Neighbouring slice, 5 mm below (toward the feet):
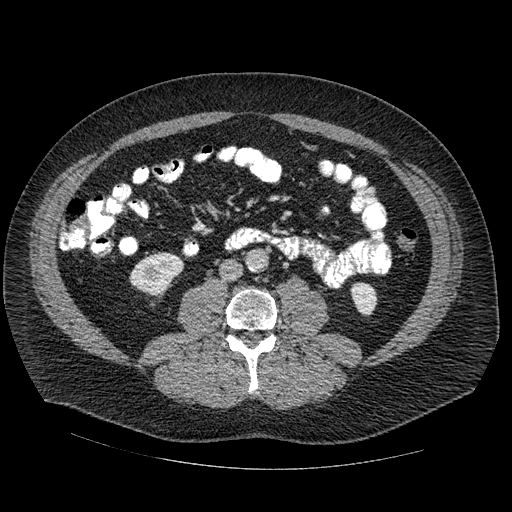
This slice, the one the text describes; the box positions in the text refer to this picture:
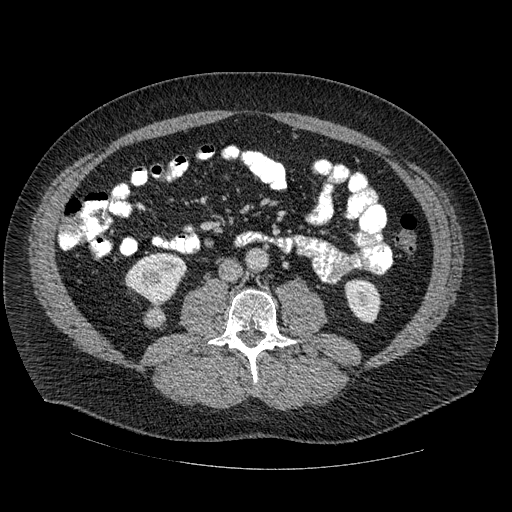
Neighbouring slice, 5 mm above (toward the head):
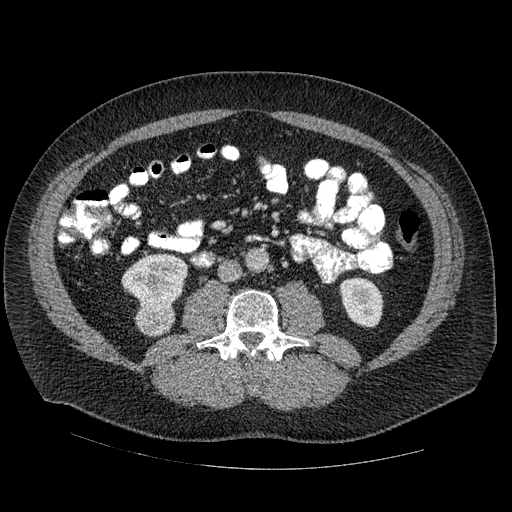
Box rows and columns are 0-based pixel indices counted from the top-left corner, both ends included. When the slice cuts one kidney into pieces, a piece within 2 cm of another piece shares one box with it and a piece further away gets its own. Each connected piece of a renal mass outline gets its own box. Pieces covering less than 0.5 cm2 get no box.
This is axial slice 239 of 445 (slice 1 is the lowest) of an arterial-phase abdominal CT with contrast; each pixel is 0.863 mm and the slice is 1.25 mm thick. Three boxes on this slice (two kidney boxes and one renal mass box), listed by box centre from the image's left to its right. (1) Right kidney, box rows 252–308, columns 124–187 (outlined area 2,355 px, about 17.6 cm2). (2) Box rows 308–317, columns 148–164: right renal mass (outlined area 135 px, about 1.0 cm2). (3) Box rows 278–323, columns 345–381: left kidney (outlined area 1,226 px, about 9.1 cm2). This slice is near the end of the right renal mass toward the feet, so the slices 5 mm below and 5 mm above it are shown as well; the boxes refer to this slice only.
Tube voltage 120 kVp; convolution kernel STANDARD.